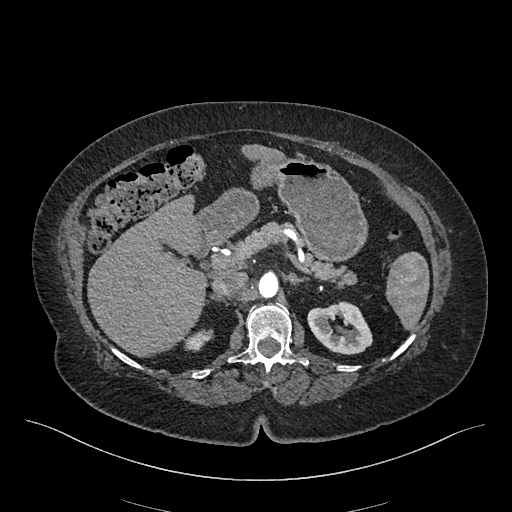
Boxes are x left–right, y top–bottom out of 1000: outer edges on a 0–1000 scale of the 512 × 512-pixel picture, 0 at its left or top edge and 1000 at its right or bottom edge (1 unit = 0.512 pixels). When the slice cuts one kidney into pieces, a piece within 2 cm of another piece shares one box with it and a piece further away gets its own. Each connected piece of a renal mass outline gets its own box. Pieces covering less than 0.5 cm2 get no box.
Arterial-phase contrast-enhanced abdominal CT, axial slice 316 of 548 (counted from the lowest slice); 1.00 mm thick, 0.852 mm per pixel. Two boxes on this slice (two kidney boxes), listed by box centre from the image's left to its right. (1) Box x 359–418, y 643–688 out of 1000: right kidney (outlined area 427 px, about 3.1 cm2). (2) Left kidney at x 600–729, y 588–693 out of 1000 (outlined area 2,445 px, about 17.7 cm2). No renal mass outline on this slice.
Scan settings: 120 kVp, I26f reconstruction kernel.